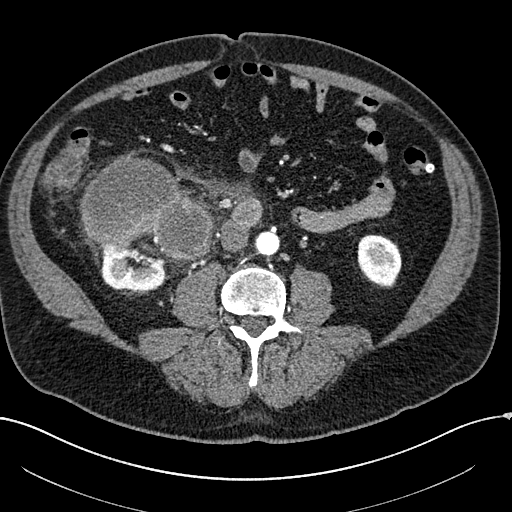
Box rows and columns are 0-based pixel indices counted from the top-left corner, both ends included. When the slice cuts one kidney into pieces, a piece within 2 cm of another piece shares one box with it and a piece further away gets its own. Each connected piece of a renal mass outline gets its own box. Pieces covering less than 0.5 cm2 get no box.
Arterial-phase contrast-enhanced abdominal CT, axial slice 56 of 304 (counted from the lowest slice); 2.00 mm thick, 0.809 mm per pixel. Three boxes on this slice (two kidney boxes and one renal mass box), listed by box centre from the image's left to its right. (1) Box rows 230–292, columns 99–175: right kidney (outlined area 3,030 px, about 19.8 cm2). (2) Right renal mass, box rows 155–262, columns 81–213 (outlined area 9,382 px, about 61.3 cm2). (3) Box rows 234–288, columns 357–401: left kidney (outlined area 1,900 px, about 12.4 cm2).
Tube voltage 100 kVp; convolution kernel I30f.